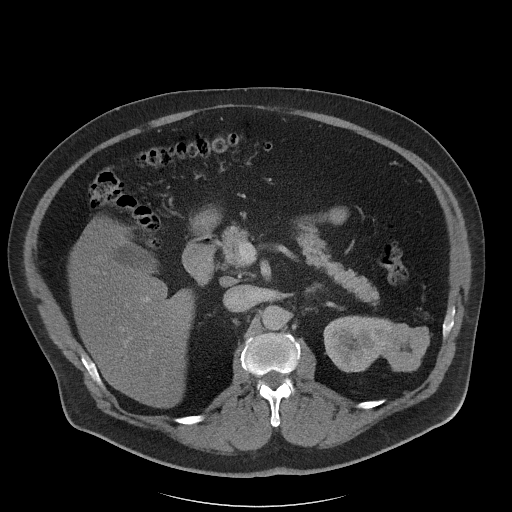
Abdominal CT with intravenous contrast, axial plane, 120 kVp, kernel I40f. Slice 68/102 from the bottom of the scan; thickness 5.00 mm; pixel size 0.977 mm.
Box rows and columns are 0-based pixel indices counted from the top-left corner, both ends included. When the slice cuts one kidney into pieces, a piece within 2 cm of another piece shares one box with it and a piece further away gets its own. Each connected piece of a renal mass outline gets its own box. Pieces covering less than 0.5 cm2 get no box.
Boxed on this slice (one kidney box and one renal mass box), listed by box centre from the image's left to its right: (1) Left kidney at rows 315–372, columns 324–395 (outlined area 2,914 px, about 27.8 cm2). (2) Left renal mass, box rows 323–371, columns 380–429 (outlined area 1,734 px, about 16.5 cm2).